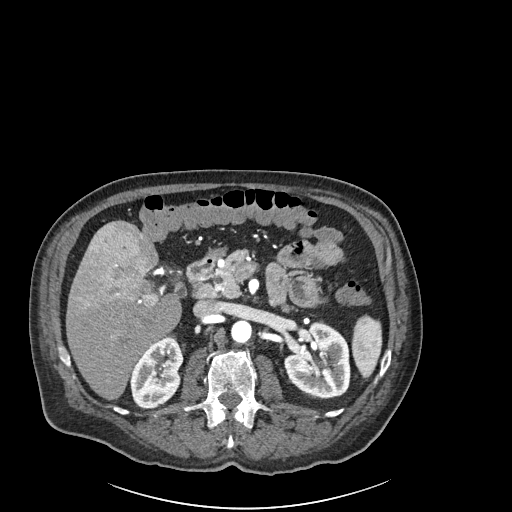
Arterial-phase contrast-enhanced abdominal CT, axial slice 125 of 261 (counted from the lowest slice); tube voltage 120 kVp, convolution kernel I30f; slices 2.00 mm thick, 0.939 mm per pixel.
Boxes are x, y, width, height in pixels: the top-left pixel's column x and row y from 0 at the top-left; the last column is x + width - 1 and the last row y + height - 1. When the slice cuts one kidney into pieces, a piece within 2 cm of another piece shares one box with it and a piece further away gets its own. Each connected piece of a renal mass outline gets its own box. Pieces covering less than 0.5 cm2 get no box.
Boxed on this slice (two kidney boxes), listed by box centre from the image's left to its right: (1) Right kidney at x 130, y 337, width 54, height 73 (outlined area 2,820 px, about 24.9 cm2). (2) Box x 283, y 322, width 68, height 77: left kidney (outlined area 3,863 px, about 34.1 cm2). No renal mass outline on this slice.